Abdominal CT with intravenous contrast, arterial phase, axial plane, 120 kVp, kernel I30f. Slice 251/527 from the bottom of the scan; thickness 1.00 mm; pixel size 0.859 mm.
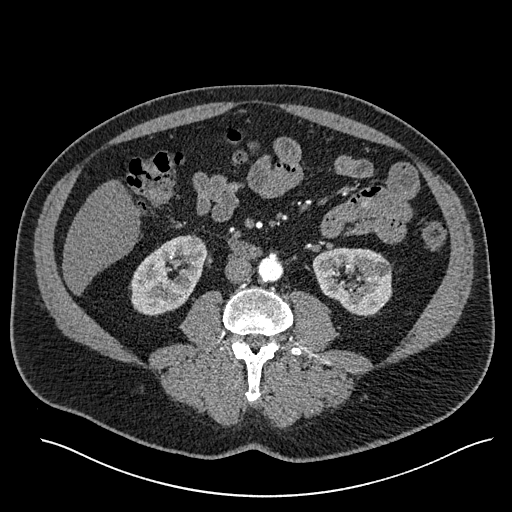
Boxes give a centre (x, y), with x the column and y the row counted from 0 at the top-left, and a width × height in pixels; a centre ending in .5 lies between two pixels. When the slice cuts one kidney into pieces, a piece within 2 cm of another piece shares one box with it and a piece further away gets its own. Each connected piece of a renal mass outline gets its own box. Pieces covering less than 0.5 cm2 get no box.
Two boxes on this slice (two kidney boxes), listed by box centre from the image's left to its right. (1) Right kidney in a box with centre (168, 274.5), 77 × 82 pixels (outlined area 4,300 px, about 31.8 cm2). (2) Left kidney, box centre (351.5, 281), 80 × 69 pixels (outlined area 4,133 px, about 30.5 cm2). No renal mass is outlined on this slice.